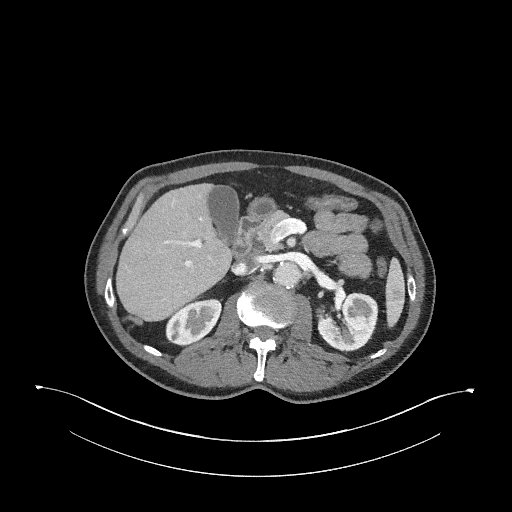
Axial slice 164 of 345 of a contrast-enhanced abdominal CT in the arterial phase (slice 1 is the lowest), 120 kVp, kernel I31f; 2.00 mm slice thickness and 0.977 mm pixels.
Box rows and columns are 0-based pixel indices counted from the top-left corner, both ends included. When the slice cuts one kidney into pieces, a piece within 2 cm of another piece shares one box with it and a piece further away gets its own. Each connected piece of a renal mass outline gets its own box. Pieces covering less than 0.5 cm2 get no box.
Boxed on this slice (two kidney boxes), listed by box centre from the image's left to its right: (1) Right kidney at rows 298–345, columns 165–222 (outlined area 1,919 px, about 18.3 cm2). (2) Left kidney at rows 292–352, columns 317–378 (outlined area 2,741 px, about 26.1 cm2). No renal mass is outlined on this slice.